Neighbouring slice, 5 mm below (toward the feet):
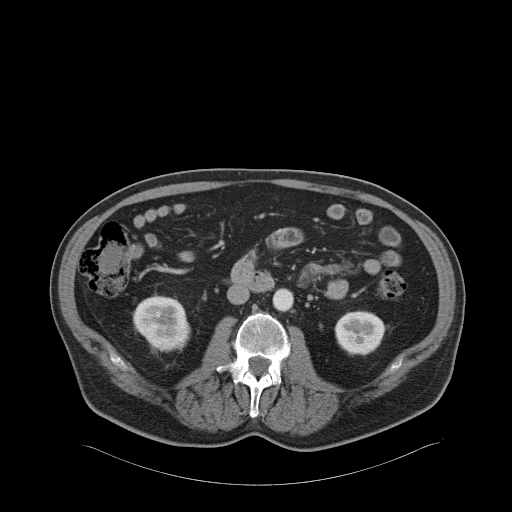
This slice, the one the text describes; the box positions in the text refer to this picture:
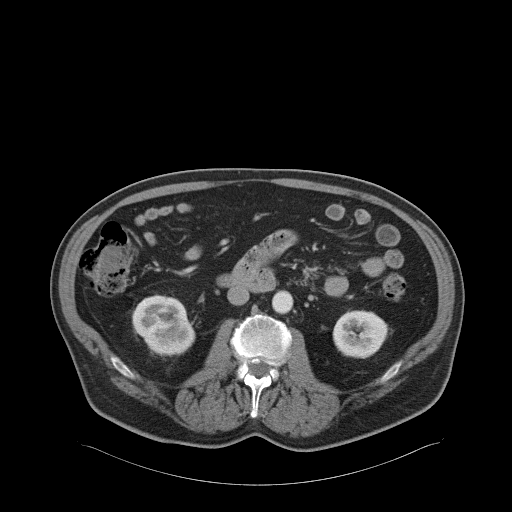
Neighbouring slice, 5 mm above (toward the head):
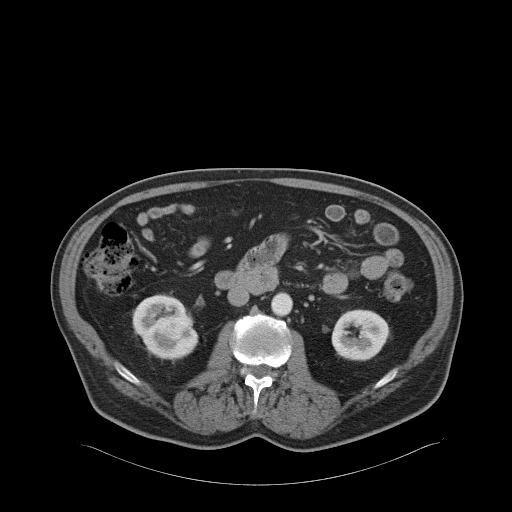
Axial slice 26 of 68 of a contrast-enhanced abdominal CT in the arterial phase (slice 1 is the lowest), 120 kVp, kernel B31f; 5.00 mm slice thickness and 0.961 mm pixels.
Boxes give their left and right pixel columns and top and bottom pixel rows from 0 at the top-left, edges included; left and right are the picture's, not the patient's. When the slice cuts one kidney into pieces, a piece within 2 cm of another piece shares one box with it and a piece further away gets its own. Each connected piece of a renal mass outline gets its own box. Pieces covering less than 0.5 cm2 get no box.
Three boxes on this slice (two kidney boxes and one renal mass box), listed by box centre from the image's left to its right. (1) Right kidney in the box with left 131, top 294, right 195, bottom 356 (outlined area 2,492 px, about 23.0 cm2). (2) Box with left 148, top 317, right 182, bottom 333: right renal mass (outlined area 437 px, about 4.0 cm2). (3) Left kidney in the box with left 332, top 310, right 385, bottom 358 (outlined area 2,114 px, about 19.5 cm2). This slice is near the end of the right renal mass toward the feet, so the slices 5 mm below and 5 mm above it are shown as well; the boxes refer to this slice only.